Axial slice 368 of 612 of a contrast-enhanced abdominal CT in the arterial phase (slice 1 is the lowest), 120 kVp, kernel I30f; 1.00 mm slice thickness and 0.703 mm pixels.
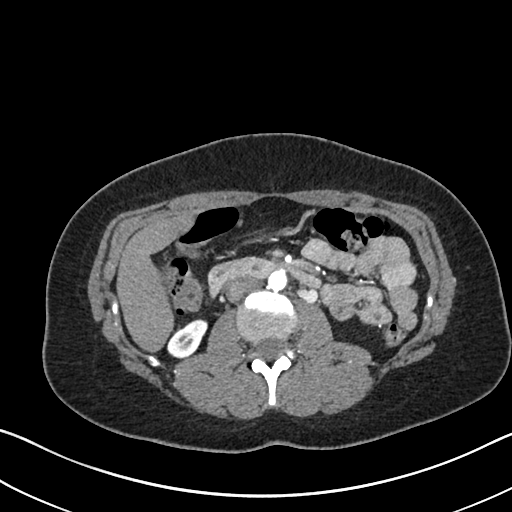
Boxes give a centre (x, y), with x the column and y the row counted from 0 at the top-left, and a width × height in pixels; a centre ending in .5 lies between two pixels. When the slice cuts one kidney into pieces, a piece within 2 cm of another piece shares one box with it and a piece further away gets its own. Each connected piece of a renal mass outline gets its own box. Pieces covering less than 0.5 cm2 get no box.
Right kidney in a box with centre (187, 338), 41 × 39 pixels (outlined area 1,049 px, about 5.2 cm2). No renal mass is outlined on this slice.